Axial slice 67 of 145 of a contrast-enhanced abdominal CT (slice 1 is the lowest), 120 kVp, kernel B41f; 5.00 mm slice thickness and 0.859 mm pixels.
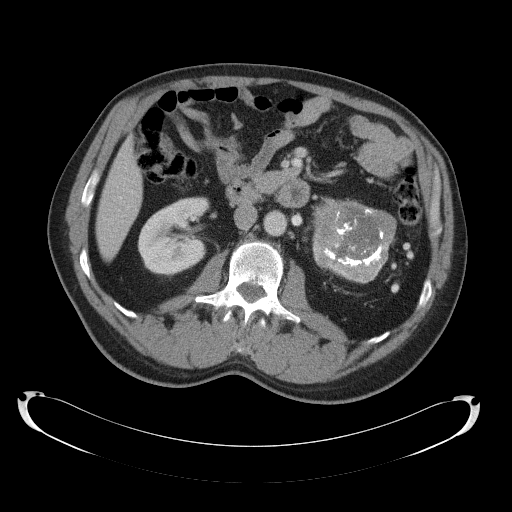
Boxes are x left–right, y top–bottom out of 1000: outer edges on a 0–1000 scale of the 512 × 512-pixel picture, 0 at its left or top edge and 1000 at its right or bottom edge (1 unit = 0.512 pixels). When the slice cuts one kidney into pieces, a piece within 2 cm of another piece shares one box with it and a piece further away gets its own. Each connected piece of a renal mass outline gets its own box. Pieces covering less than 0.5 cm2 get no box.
One kidney box and one renal mass box on this slice; by box centre, from the image's left to its right: (1) Right kidney at x 268–410, y 383–543 out of 1000 (outlined area 4,262 px, about 31.5 cm2). (2) Left renal mass, box x 607–775, y 383–555 out of 1000 (outlined area 5,707 px, about 42.1 cm2); on this slice it lies more than 1 cm from any kidney outline, but the same outlined renal mass comes within 1 cm of the kidney on another slice.